Arterial-phase contrast-enhanced abdominal CT, axial slice 605 of 987 (counted from the lowest slice); tube voltage 120 kVp, convolution kernel I26f; slices 1.00 mm thick, 0.977 mm per pixel.
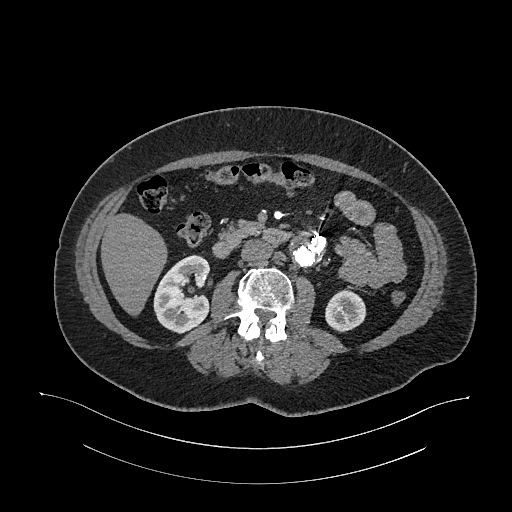
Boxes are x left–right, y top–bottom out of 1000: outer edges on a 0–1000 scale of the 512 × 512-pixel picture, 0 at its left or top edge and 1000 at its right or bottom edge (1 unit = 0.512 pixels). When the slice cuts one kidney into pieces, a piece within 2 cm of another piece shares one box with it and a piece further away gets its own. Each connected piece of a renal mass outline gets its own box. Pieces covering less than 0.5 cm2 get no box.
Two boxes on this slice (two kidney boxes), listed by box centre from the image's left to its right. (1) Right kidney at x 299–412, y 496–652 out of 1000 (outlined area 3,328 px, about 31.7 cm2). (2) Left kidney at x 635–717, y 563–650 out of 1000 (outlined area 1,366 px, about 13.0 cm2). No renal mass outline on this slice.